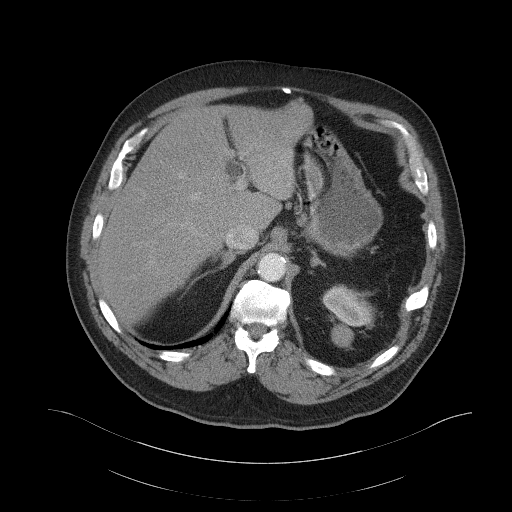
Abdominal CT with intravenous contrast, arterial phase, axial plane, 120 kVp, kernel B41f. Slice 84/103 from the bottom of the scan; thickness 5.00 mm; pixel size 0.951 mm.
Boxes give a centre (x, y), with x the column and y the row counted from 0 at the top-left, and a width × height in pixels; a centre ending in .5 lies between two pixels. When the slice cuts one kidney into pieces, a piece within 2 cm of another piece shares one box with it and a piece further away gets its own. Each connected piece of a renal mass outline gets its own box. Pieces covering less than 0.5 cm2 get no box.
Left kidney, box centre (348, 305), 55 × 43 pixels (outlined area 1,517 px, about 13.7 cm2). No renal mass is outlined on this slice.